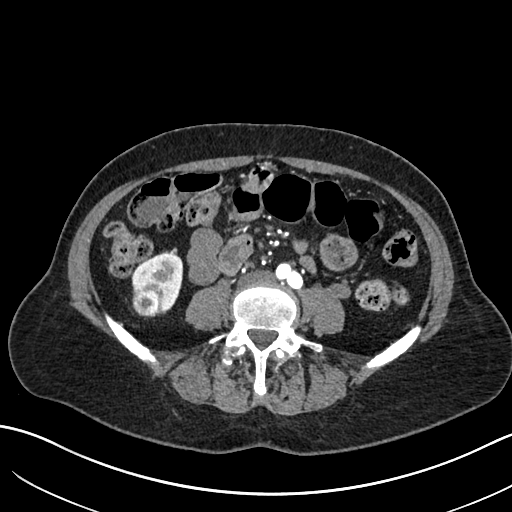
Abdominal CT with intravenous contrast, arterial phase, axial plane, 120 kVp, kernel I30f. Slice 264/683 from the bottom of the scan; thickness 1.00 mm; pixel size 0.738 mm.
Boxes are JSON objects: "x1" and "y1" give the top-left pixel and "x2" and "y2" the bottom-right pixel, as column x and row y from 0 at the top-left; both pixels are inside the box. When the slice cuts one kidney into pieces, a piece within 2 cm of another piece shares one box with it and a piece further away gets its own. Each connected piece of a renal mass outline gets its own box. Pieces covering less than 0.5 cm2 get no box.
Two boxes on this slice (one kidney box and one renal mass box), listed by box centre from the image's left to its right. (1) Right renal mass, box {"x1": 132, "y1": 283, "x2": 163, "y2": 316} (outlined area 898 px, about 4.9 cm2). (2) Right kidney at {"x1": 131, "y1": 252, "x2": 183, "y2": 313} (outlined area 1,786 px, about 9.7 cm2).